Abdominal CT with intravenous contrast, axial plane, 120 kVp, kernel STANDARD. Slice 75/121 from the bottom of the scan; thickness 2.50 mm; pixel size 0.742 mm.
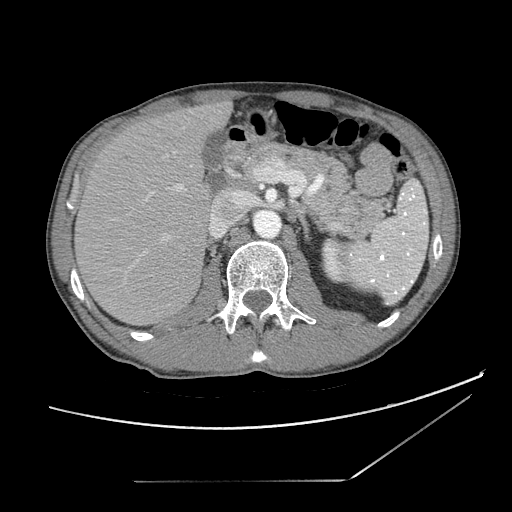
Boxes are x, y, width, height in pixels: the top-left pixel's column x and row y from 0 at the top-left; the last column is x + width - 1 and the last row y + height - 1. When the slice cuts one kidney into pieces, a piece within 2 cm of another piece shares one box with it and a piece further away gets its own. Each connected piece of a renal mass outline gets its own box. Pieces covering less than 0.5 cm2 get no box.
Left kidney, box x 321, y 238, width 23, height 46 (outlined area 744 px, about 4.1 cm2). No renal mass outline on this slice.